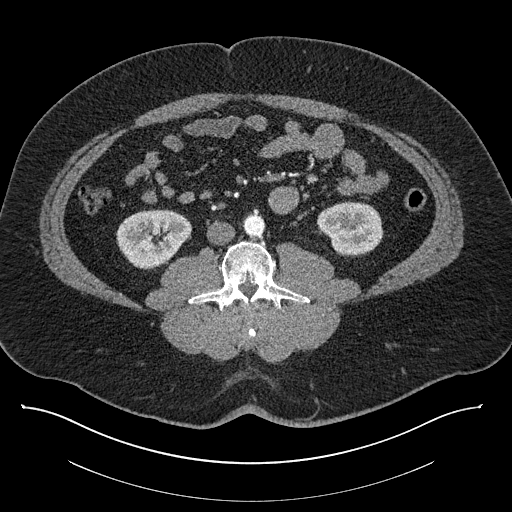
One axial slice (394 of 787, counting up from the lowest) of a contrast-enhanced abdominal CT acquired with 140 kVp, kernel I30f; each pixel is 0.910 mm and the slice is 1.00 mm thick.
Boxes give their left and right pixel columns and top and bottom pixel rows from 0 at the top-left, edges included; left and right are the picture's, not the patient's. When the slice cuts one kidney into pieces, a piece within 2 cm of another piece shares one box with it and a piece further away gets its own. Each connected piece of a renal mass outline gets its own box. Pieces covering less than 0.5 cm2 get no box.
Boxed on this slice (two kidney boxes), listed by box centre from the image's left to its right: (1) Right kidney in the box with left 115, top 209, right 191, bottom 269 (outlined area 3,352 px, about 27.8 cm2). (2) Box with left 317, top 201, right 383, bottom 255: left kidney (outlined area 2,788 px, about 23.1 cm2). No renal mass is outlined on this slice.